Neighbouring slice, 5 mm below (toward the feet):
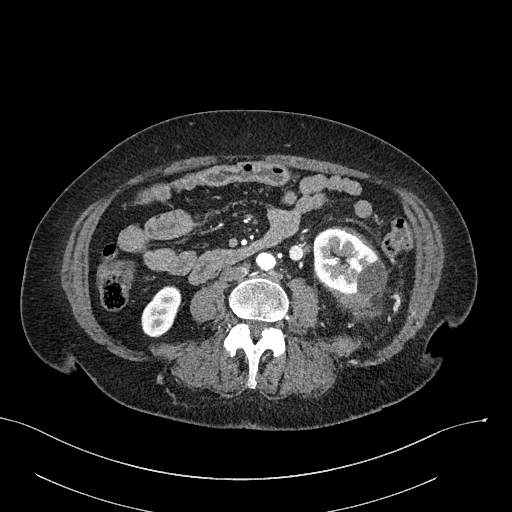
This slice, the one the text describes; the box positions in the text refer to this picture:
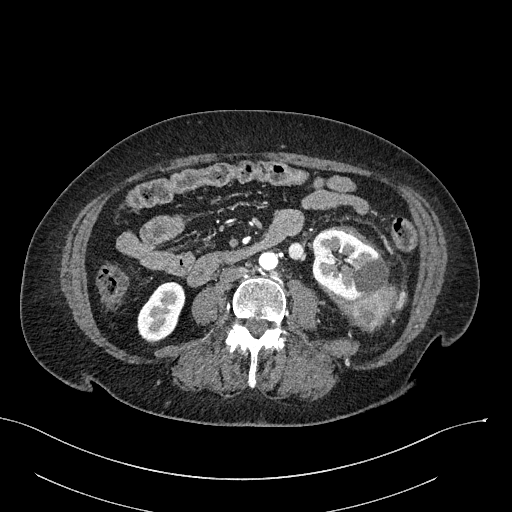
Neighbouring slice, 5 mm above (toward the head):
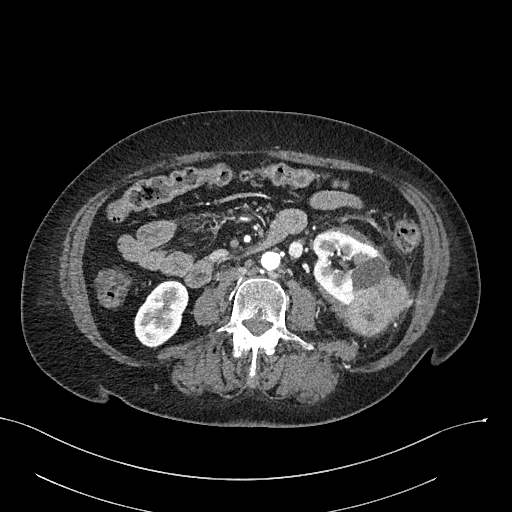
Abdominal CT with intravenous contrast, arterial phase, axial plane, 100 kVp, kernel I40f. Slice 96/316 from the bottom of the scan; thickness 2.00 mm; pixel size 0.840 mm.
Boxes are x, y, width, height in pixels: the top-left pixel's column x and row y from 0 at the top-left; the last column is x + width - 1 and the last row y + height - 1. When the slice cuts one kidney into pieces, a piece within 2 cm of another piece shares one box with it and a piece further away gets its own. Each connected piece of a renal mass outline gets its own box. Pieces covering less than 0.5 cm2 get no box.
Two kidney boxes and one renal mass box on this slice; by box centre, from the image's left to its right: (1) Right kidney, box x 137, y 281, width 49, height 62 (outlined area 2,054 px, about 14.5 cm2). (2) Left kidney, box x 312, y 229, width 78, height 74 (outlined area 3,871 px, about 27.3 cm2). (3) Box x 348, y 284, width 55, height 47: left renal mass (outlined area 1,680 px, about 11.8 cm2). This slice is near the end of the left renal mass toward the feet, so the slices 5 mm below and 5 mm above it are shown as well; the boxes refer to this slice only.